Abdominal CT with intravenous contrast, arterial phase, axial plane, 120 kVp, kernel I30f. Slice 109/261 from the bottom of the scan; thickness 2.00 mm; pixel size 0.939 mm.
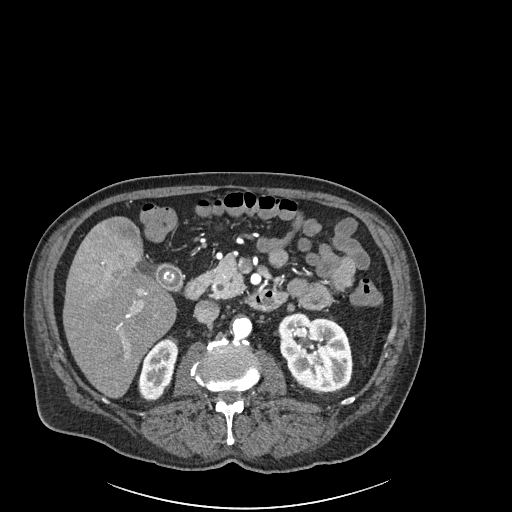
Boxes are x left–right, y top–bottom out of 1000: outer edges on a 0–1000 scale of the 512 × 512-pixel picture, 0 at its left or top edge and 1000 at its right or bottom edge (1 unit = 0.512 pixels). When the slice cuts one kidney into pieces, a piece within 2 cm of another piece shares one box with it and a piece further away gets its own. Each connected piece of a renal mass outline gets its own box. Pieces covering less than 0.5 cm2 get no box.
Two boxes on this slice (two kidney boxes), listed by box centre from the image's left to its right. (1) Right kidney, box x 270–348, y 662–783 out of 1000 (outlined area 1,691 px, about 14.9 cm2). (2) Box x 543–689, y 609–768 out of 1000: left kidney (outlined area 4,607 px, about 40.7 cm2). No renal mass outline on this slice.